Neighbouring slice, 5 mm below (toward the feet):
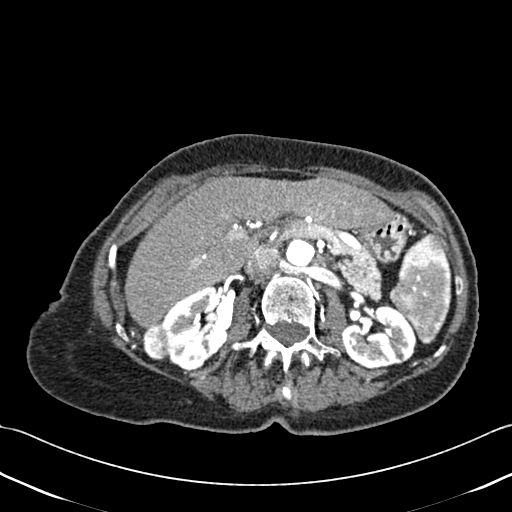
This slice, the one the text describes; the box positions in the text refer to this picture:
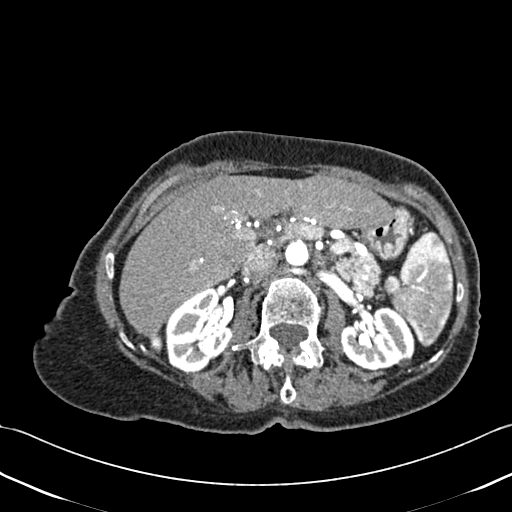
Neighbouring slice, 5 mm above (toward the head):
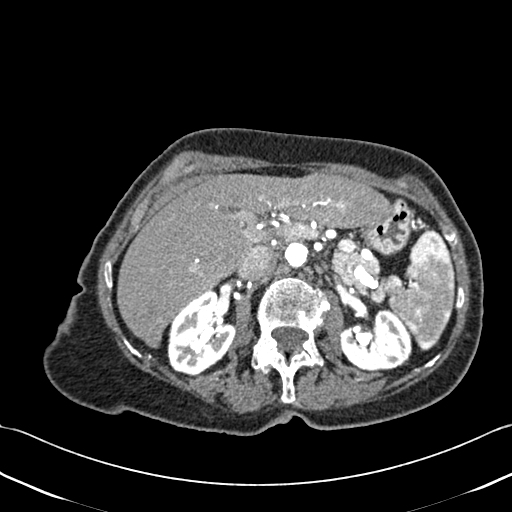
Contrast-enhanced abdominal CT, axial slice 268 of 433 (counted from the lowest slice); tube voltage 120 kVp, convolution kernel B30f; slices 1.00 mm thick, 0.672 mm per pixel.
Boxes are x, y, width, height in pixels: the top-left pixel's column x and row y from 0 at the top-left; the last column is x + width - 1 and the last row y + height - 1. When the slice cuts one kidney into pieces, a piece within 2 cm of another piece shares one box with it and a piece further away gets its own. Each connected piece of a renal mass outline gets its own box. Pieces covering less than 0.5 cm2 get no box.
Three boxes on this slice (two kidney boxes and one renal mass box), listed by box centre from the image's left to its right. (1) Box x 150, y 335, width 13, height 14: right renal mass (outlined area 141 px, about 0.6 cm2). (2) Right kidney at x 165, y 287, width 68, height 86 (outlined area 4,143 px, about 18.7 cm2). (3) Left kidney, box x 340, y 306, width 75, height 65 (outlined area 3,622 px, about 16.4 cm2). This slice lies near the end of the right renal mass toward the head; the slices 5 mm below and 5 mm above it are shown too, and the boxes mark positions on this slice only.